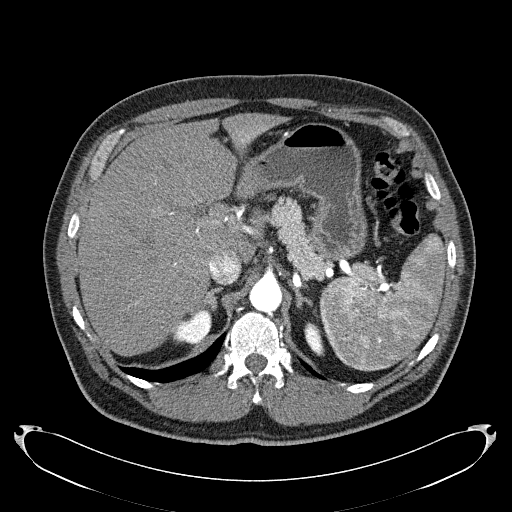
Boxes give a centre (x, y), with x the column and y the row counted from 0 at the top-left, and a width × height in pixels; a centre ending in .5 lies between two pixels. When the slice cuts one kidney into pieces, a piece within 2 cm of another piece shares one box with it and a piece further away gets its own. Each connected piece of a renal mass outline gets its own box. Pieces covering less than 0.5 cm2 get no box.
This is axial slice 173 of 279 (slice 1 is the lowest) of an arterial-phase abdominal CT with contrast; each pixel is 0.824 mm and the slice is 2.00 mm thick. Two boxes on this slice (two kidney boxes), listed by box centre from the image's left to its right. (1) Right kidney in a box with centre (191.5, 325.5), 40 × 38 pixels (outlined area 981 px, about 6.7 cm2). (2) Left kidney in a box with centre (314, 338.5), 21 × 34 pixels (outlined area 464 px, about 3.2 cm2). No renal mass outline on this slice.
Scan settings: 120 kVp, B31f reconstruction kernel.